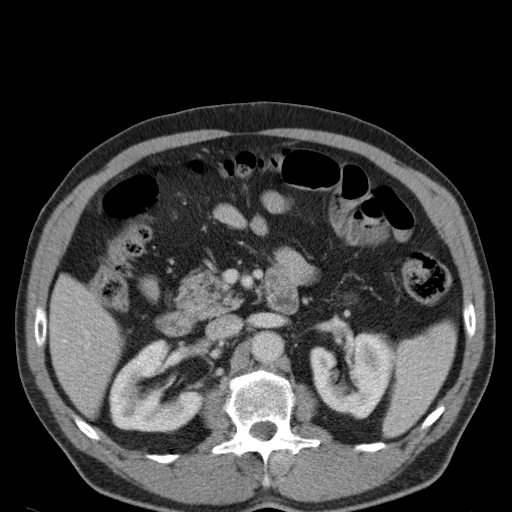
Abdominal CT with intravenous contrast, axial plane, 120 kVp, kernel B31f. Slice 70/107 from the bottom of the scan; thickness 5.00 mm; pixel size 0.730 mm.
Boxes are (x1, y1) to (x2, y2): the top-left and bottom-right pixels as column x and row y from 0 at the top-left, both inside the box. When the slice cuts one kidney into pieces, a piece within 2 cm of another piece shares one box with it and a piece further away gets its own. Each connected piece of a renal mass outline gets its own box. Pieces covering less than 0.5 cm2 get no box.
Two kidney boxes on this slice; by box centre, from the image's left to its right: (1) Right kidney from (109, 339) to (202, 433) (outlined area 5,548 px, about 29.6 cm2). (2) Left kidney, box (310, 332) to (395, 419) (outlined area 5,228 px, about 27.9 cm2). No renal mass is outlined on this slice.